Abdominal CT with intravenous contrast, arterial phase, axial plane, 120 kVp, kernel I30f. Slice 520/735 from the bottom of the scan; thickness 1.00 mm; pixel size 0.789 mm.
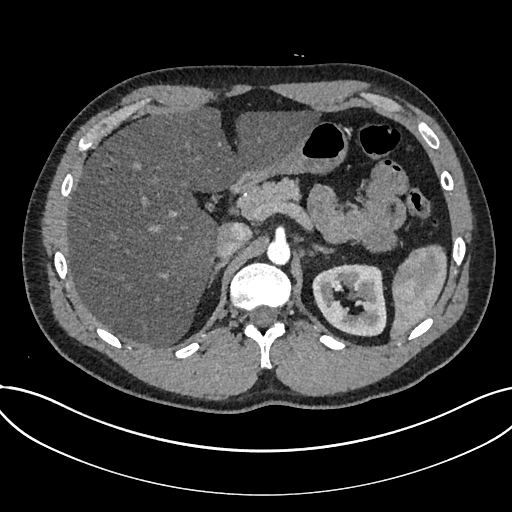
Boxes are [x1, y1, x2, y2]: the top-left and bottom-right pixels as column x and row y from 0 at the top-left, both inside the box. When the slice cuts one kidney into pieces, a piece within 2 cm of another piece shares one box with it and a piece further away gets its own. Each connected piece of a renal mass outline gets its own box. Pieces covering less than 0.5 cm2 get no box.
Box [312, 264, 386, 336]: kidney (outlined area 4,120 px, about 25.7 cm2). No renal mass outline on this slice.